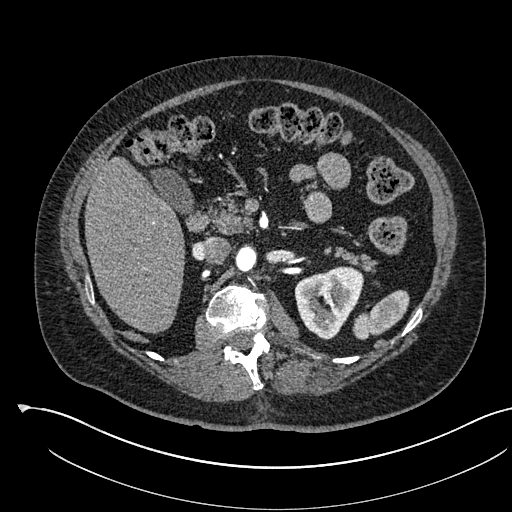
Arterial-phase contrast-enhanced abdominal CT, axial slice 356 of 541 (counted from the lowest slice); tube voltage 120 kVp, convolution kernel I30f; slices 1.00 mm thick, 0.834 mm per pixel.
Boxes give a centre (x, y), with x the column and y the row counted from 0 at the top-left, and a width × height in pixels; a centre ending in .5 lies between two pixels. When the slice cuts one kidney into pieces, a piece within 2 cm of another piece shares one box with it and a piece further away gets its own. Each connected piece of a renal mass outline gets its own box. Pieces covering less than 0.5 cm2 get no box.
Left kidney, box centre (328.5, 302.5), 70 × 74 pixels (outlined area 3,554 px, about 24.7 cm2). No renal mass outline on this slice.